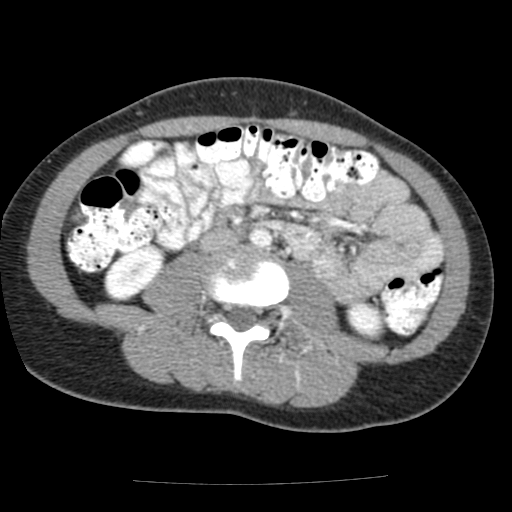
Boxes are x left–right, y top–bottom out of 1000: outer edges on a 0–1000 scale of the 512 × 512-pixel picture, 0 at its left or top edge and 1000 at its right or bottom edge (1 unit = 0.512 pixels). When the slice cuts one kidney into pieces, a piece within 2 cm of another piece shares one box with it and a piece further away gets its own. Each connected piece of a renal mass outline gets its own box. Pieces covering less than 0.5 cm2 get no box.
This is axial slice 68 of 117 (slice 1 is the lowest) of an arterial-phase abdominal CT with contrast; each pixel is 0.518 mm and the slice is 3.00 mm thick. Two kidney boxes on this slice; by box centre, from the image's left to its right: (1) Right kidney, box x 201–322, y 477–590 out of 1000 (outlined area 2,350 px, about 6.3 cm2). (2) Left kidney, box x 674–754, y 588–666 out of 1000 (outlined area 1,215 px, about 3.3 cm2). No renal mass outline on this slice.
Tube voltage 120 kVp; convolution kernel FC12.